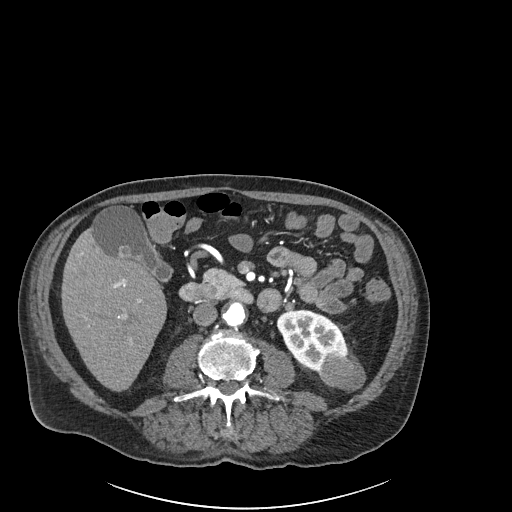
Arterial-phase contrast-enhanced abdominal CT, axial slice 82 of 261 (counted from the lowest slice); tube voltage 120 kVp, convolution kernel I30f; slices 2.00 mm thick, 0.939 mm per pixel.
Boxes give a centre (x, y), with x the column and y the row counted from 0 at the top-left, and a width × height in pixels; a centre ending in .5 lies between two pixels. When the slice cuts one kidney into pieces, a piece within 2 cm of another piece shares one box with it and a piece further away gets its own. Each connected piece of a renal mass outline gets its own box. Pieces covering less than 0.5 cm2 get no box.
One kidney box and one renal mass box on this slice; by box centre, from the image's left to its right: (1) Left kidney in a box with centre (311.5, 341.5), 72 × 66 pixels (outlined area 2,878 px, about 25.4 cm2). (2) Left renal mass in a box with centre (342, 372), 47 × 41 pixels (outlined area 1,369 px, about 12.1 cm2).